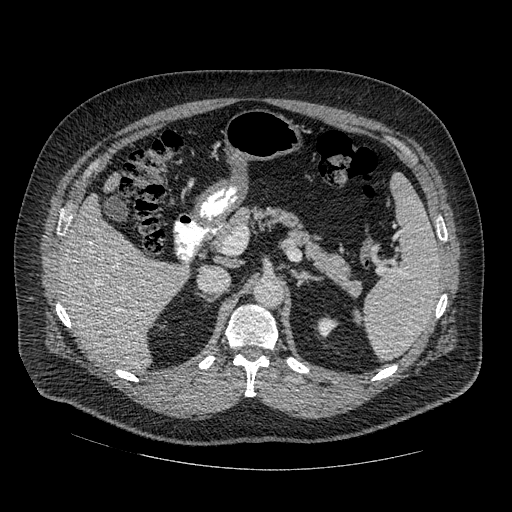
Abdominal CT with intravenous contrast, arterial phase, axial plane, 120 kVp, kernel STANDARD. Slice 314/445 from the bottom of the scan; thickness 1.25 mm; pixel size 0.863 mm.
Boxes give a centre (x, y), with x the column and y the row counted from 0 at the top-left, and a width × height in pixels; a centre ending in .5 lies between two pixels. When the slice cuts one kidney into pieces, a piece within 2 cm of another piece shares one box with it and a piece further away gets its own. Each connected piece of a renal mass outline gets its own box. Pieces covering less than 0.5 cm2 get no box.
Box centre (326.5, 326.5), 24 × 24 pixels: left kidney (outlined area 349 px, about 2.6 cm2). This slice carries no renal mass outline.